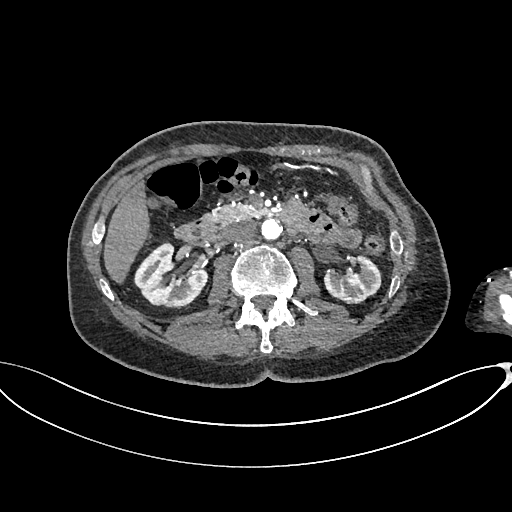
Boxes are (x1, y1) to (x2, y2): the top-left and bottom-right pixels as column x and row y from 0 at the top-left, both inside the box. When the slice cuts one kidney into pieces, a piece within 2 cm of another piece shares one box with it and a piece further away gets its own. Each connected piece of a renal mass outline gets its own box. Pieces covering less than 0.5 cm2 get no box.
Arterial-phase contrast-enhanced abdominal CT, axial slice 389 of 665 (counted from the lowest slice); 1.00 mm thick, 0.828 mm per pixel. Two boxes on this slice (two kidney boxes), listed by box centre from the image's left to its right. (1) Right kidney from (133, 243) to (208, 308) (outlined area 3,355 px, about 23.0 cm2). (2) Left kidney, box (324, 253) to (381, 303) (outlined area 1,984 px, about 13.6 cm2). This slice carries no renal mass outline.
Acquired at 100 kVp and reconstructed with the I26f kernel.